Arterial-phase contrast-enhanced abdominal CT, axial slice 146 of 302 (counted from the lowest slice); tube voltage 100 kVp, convolution kernel I30f; slices 5.00 mm thick, 0.875 mm per pixel.
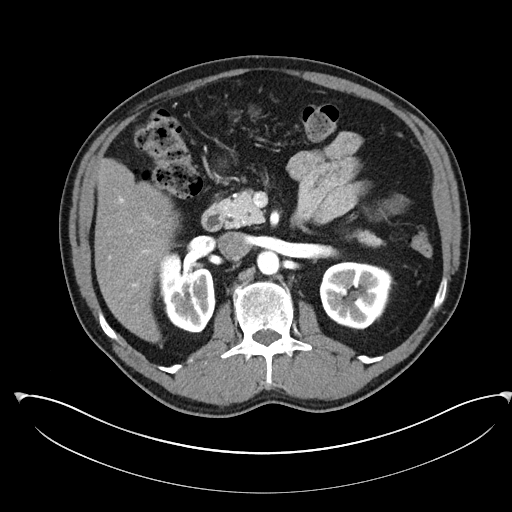
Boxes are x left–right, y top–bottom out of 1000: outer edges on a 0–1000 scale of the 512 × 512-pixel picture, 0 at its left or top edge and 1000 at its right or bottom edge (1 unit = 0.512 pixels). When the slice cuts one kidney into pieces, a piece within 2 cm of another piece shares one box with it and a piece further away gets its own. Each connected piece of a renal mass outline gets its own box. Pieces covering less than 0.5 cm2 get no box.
Two kidney boxes on this slice; by box centre, from the image's left to its right: (1) Right kidney, box x 311–422, y 490–650 out of 1000 (outlined area 3,591 px, about 27.5 cm2). (2) Left kidney, box x 623–770, y 510–645 out of 1000 (outlined area 3,972 px, about 30.4 cm2). No renal mass is outlined on this slice.